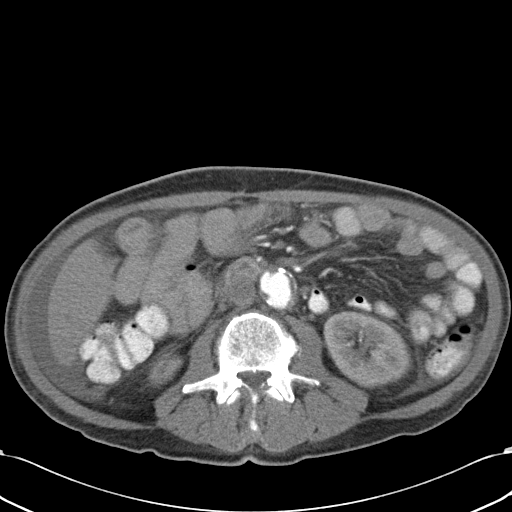
Axial slice 7 of 43 of a contrast-enhanced abdominal CT (slice 1 is the lowest), 120 kVp, kernel B31f; 5.00 mm slice thickness and 0.701 mm pixels.
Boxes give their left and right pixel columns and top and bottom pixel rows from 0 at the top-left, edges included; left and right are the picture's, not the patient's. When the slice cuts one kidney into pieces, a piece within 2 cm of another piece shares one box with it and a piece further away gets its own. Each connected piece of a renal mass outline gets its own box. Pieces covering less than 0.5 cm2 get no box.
Two boxes on this slice (two kidney boxes), listed by box centre from the image's left to its right. (1) Right kidney in the box with left 147, top 351, right 183, bottom 387 (outlined area 810 px, about 4.0 cm2). (2) Left kidney, the box with left 323, top 310, right 412, bottom 388 (outlined area 5,130 px, about 25.2 cm2). This slice carries no renal mass outline.